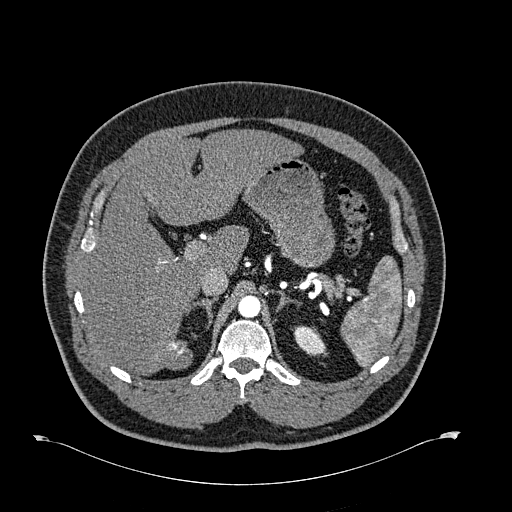
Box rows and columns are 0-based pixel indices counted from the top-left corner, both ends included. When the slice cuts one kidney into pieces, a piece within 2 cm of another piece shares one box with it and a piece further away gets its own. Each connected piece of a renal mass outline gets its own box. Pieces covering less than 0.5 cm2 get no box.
Slice 490/723 of a contrast-enhanced abdominal CT in the arterial phase, counting up from the lowest; pixel size 0.895 mm, slice thickness 1.00 mm. Left kidney at rows 325–355, columns 293–326 (outlined area 720 px, about 5.8 cm2). No renal mass is outlined on this slice.
Tube voltage 120 kVp; convolution kernel B30f.